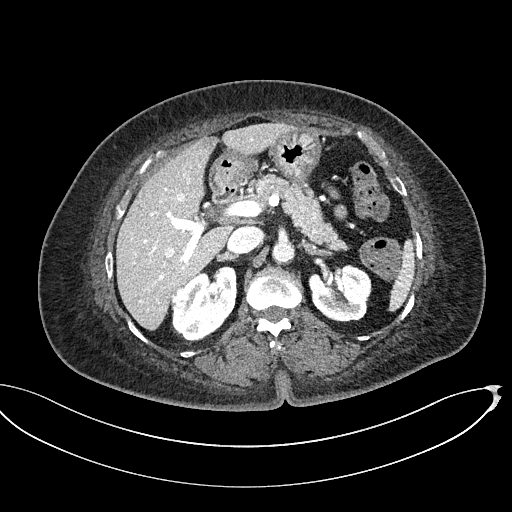
One axial slice (328 of 439, counting up from the lowest) of a contrast-enhanced abdominal CT acquired with 100 kVp, kernel I40f; each pixel is 0.850 mm and the slice is 2.00 mm thick.
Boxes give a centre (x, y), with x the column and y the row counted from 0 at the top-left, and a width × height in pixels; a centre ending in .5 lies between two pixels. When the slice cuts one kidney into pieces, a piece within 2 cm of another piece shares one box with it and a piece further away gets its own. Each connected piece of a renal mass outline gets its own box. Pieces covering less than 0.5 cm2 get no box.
Two kidney boxes and one renal mass box on this slice; by box centre, from the image's left to its right: (1) Right renal mass, box centre (179, 297), 17 × 23 pixels (outlined area 277 px, about 2.0 cm2). (2) Right kidney, box centre (204.5, 303.5), 66 × 78 pixels (outlined area 3,374 px, about 24.4 cm2). (3) Box centre (339.5, 292.5), 64 × 58 pixels: left kidney (outlined area 2,864 px, about 20.7 cm2).